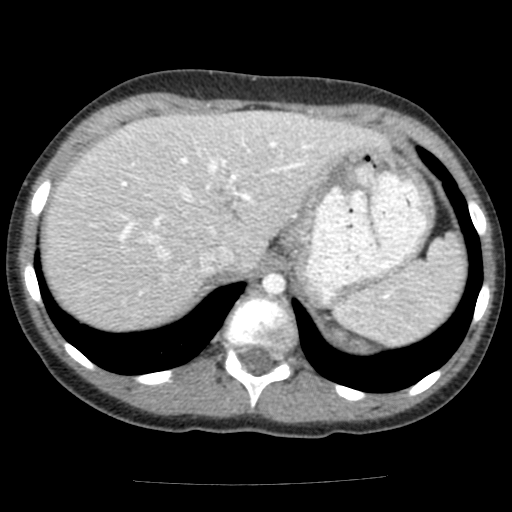
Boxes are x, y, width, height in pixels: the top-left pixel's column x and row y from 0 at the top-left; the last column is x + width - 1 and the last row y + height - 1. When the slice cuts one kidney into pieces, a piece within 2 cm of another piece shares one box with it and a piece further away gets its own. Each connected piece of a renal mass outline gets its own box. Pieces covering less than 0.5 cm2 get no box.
Slice 101/117 of a contrast-enhanced abdominal CT in the arterial phase, counting up from the lowest; pixel size 0.518 mm, slice thickness 3.00 mm. Left kidney, box x 332, y 326, width 34, height 21 (outlined area 337 px, about 0.9 cm2). No renal mass is outlined on this slice.
Scan settings: 120 kVp, FC12 reconstruction kernel.